Axial slice 43 of 84 of a contrast-enhanced abdominal CT (slice 1 is the lowest), 140 kVp, kernel STANDARD; 5.00 mm slice thickness and 0.717 mm pixels.
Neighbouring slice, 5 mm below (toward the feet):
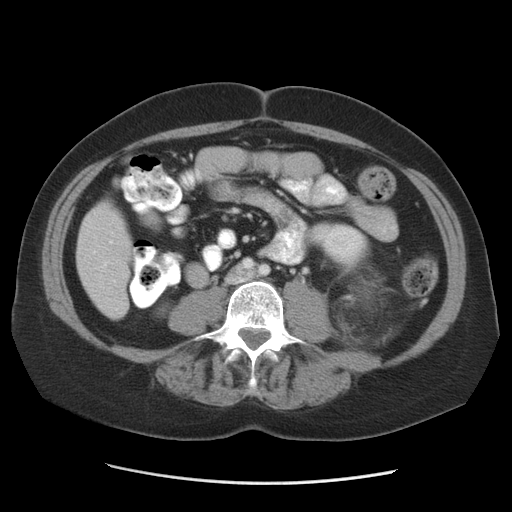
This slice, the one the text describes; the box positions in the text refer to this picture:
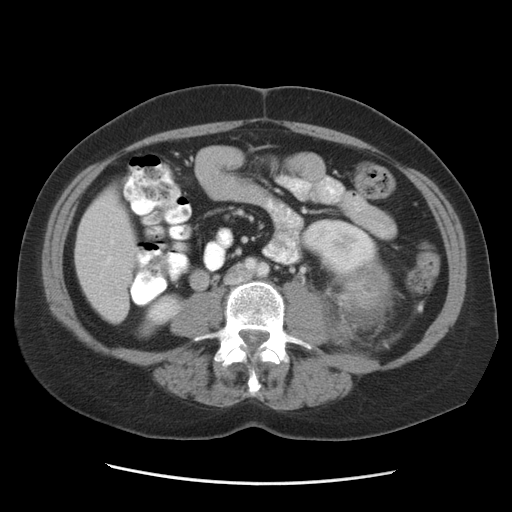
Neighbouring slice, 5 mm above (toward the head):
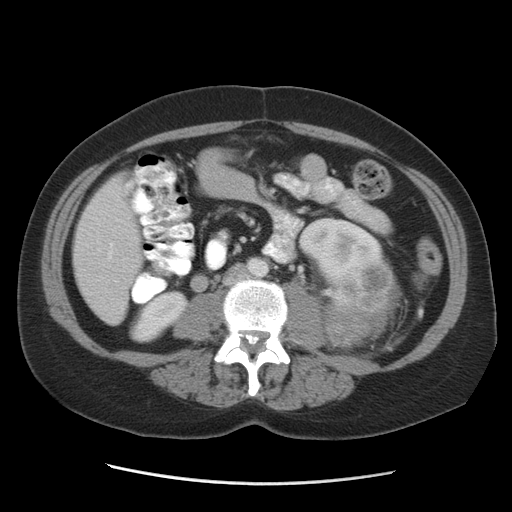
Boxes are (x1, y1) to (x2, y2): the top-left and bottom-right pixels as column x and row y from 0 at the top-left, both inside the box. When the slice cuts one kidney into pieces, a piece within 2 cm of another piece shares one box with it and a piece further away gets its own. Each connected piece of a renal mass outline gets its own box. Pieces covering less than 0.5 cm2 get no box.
Two kidney boxes and one renal mass box on this slice; by box centre, from the image's left to its right: (1) Box (137, 293) to (183, 337): right kidney (outlined area 1,182 px, about 6.1 cm2). (2) Box (300, 218) to (380, 278): left kidney (outlined area 2,986 px, about 15.3 cm2). (3) Box (340, 260) to (391, 332): left renal mass (outlined area 2,925 px, about 15.0 cm2). This slice lies near the end of the left renal mass toward the feet; the slices 5 mm below and 5 mm above it are shown too, and the boxes mark positions on this slice only.